Abdominal CT with intravenous contrast, arterial phase, axial plane, 120 kVp, kernel I30f. Slice 519/705 from the bottom of the scan; thickness 1.00 mm; pixel size 0.703 mm.
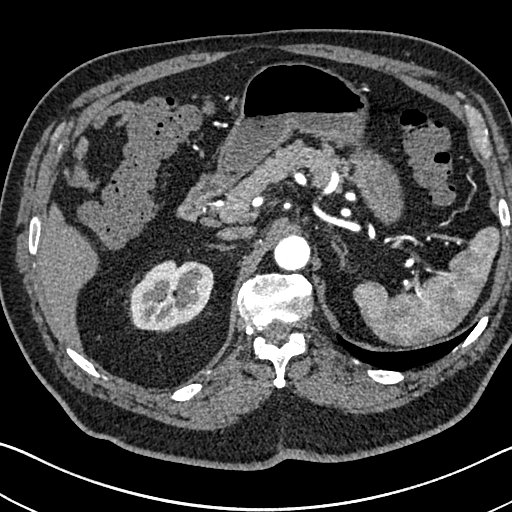
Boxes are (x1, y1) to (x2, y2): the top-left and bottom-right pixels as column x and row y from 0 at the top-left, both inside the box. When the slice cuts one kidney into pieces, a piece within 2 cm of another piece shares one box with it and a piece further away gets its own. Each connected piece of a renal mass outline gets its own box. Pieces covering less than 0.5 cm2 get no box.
Right kidney, box (131, 260) to (214, 330) (outlined area 4,532 px, about 22.4 cm2). This slice carries no renal mass outline.